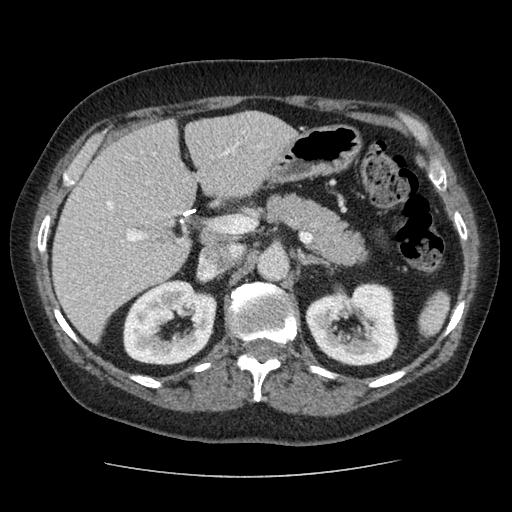
Abdominal CT with intravenous contrast, arterial phase, axial plane, 120 kVp, kernel STANDARD. Slice 62/96 from the bottom of the scan; thickness 2.50 mm; pixel size 0.689 mm.
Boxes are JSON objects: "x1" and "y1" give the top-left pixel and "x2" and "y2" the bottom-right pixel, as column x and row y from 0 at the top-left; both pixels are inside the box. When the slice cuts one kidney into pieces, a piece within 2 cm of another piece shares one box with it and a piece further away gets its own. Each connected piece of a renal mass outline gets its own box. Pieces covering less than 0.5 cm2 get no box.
Two kidney boxes on this slice; by box centre, from the image's left to its right: (1) Right kidney, box {"x1": 122, "y1": 280, "x2": 216, "y2": 365} (outlined area 5,947 px, about 28.3 cm2). (2) Box {"x1": 305, "y1": 282, "x2": 398, "y2": 366}: left kidney (outlined area 5,905 px, about 28.1 cm2). No renal mass outline on this slice.